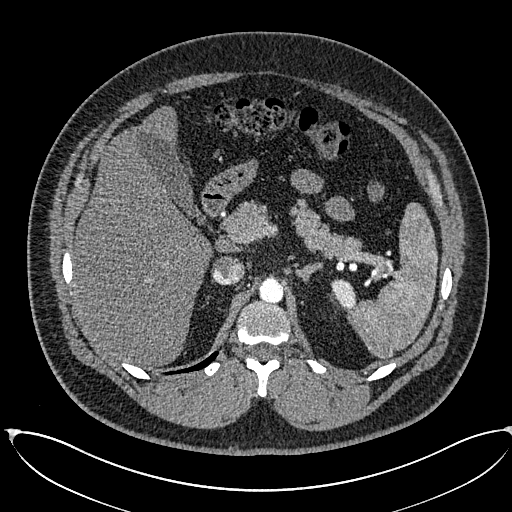
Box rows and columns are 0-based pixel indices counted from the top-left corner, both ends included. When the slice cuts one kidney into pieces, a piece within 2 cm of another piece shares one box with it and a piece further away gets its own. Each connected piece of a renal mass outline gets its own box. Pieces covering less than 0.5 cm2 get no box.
This is axial slice 434 of 673 (slice 1 is the lowest) of an arterial-phase abdominal CT with contrast; each pixel is 0.855 mm and the slice is 1.00 mm thick. Left kidney, box rows 278–308, columns 331–355 (outlined area 559 px, about 4.1 cm2). No renal mass is outlined on this slice.
Acquired at 120 kVp and reconstructed with the I30f kernel.